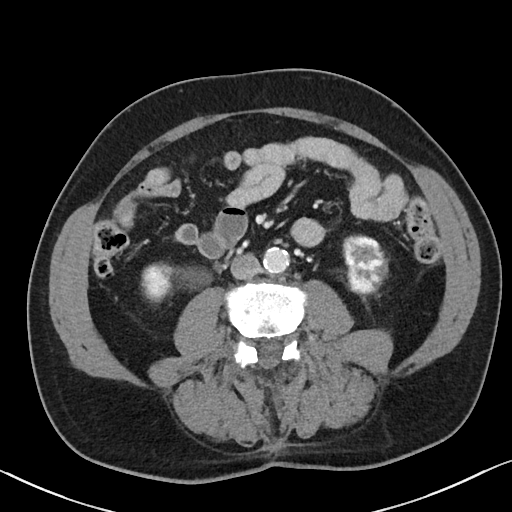
One axial slice (49 of 90, counting up from the lowest) of a contrast-enhanced abdominal CT acquired with 100 kVp, kernel I40f; each pixel is 0.684 mm and the slice is 5.00 mm thick.
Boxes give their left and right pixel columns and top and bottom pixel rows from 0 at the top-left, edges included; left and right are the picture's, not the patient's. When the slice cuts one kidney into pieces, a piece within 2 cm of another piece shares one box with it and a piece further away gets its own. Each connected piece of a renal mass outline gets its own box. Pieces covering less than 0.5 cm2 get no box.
Two boxes on this slice (two kidney boxes), listed by box centre from the image's left to its right. (1) Right kidney, the box with left 141, top 261, right 212, bottom 302 (outlined area 1,829 px, about 8.5 cm2). (2) Box with left 342, top 234, right 389, bottom 295: left kidney (outlined area 2,241 px, about 10.5 cm2). This slice carries no renal mass outline.